One axial slice (61 of 88, counting up from the lowest) of a contrast-enhanced abdominal CT acquired with 120 kVp, kernel B; each pixel is 0.865 mm and the slice is 5.00 mm thick.
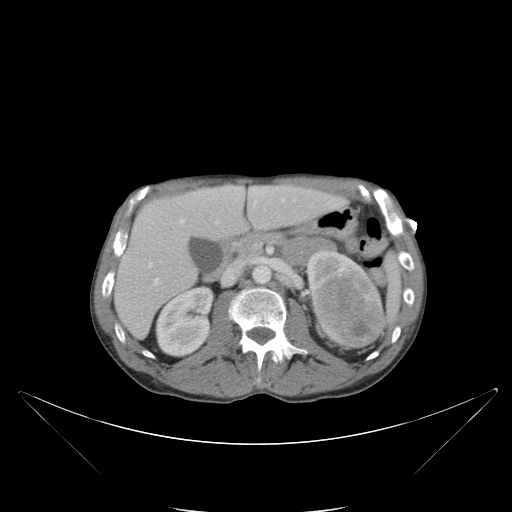
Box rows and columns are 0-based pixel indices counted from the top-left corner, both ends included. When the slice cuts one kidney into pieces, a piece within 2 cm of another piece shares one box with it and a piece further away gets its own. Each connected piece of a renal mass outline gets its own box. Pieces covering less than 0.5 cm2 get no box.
Three boxes on this slice (two kidney boxes and one renal mass box), listed by box centre from the image's left to its right. (1) Right kidney, box rows 285–357, columns 155–215 (outlined area 3,267 px, about 24.5 cm2). (2) Left kidney at rows 249–297, columns 306–361 (outlined area 1,156 px, about 8.7 cm2). (3) Left renal mass at rows 266–347, columns 312–386 (outlined area 4,577 px, about 34.3 cm2).